Axial slice 2 of 61 of a contrast-enhanced abdominal CT in the arterial phase (slice 1 is the lowest), 140 kVp, kernel I41f; 3.00 mm slice thickness and 0.947 mm pixels.
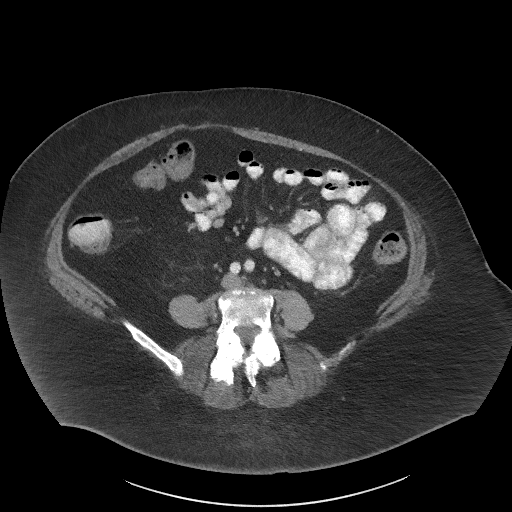
This slice carries no outline: it lies beyond the outlined kidneys and beyond every outlined renal mass. Other organs are not outlined in this scan.